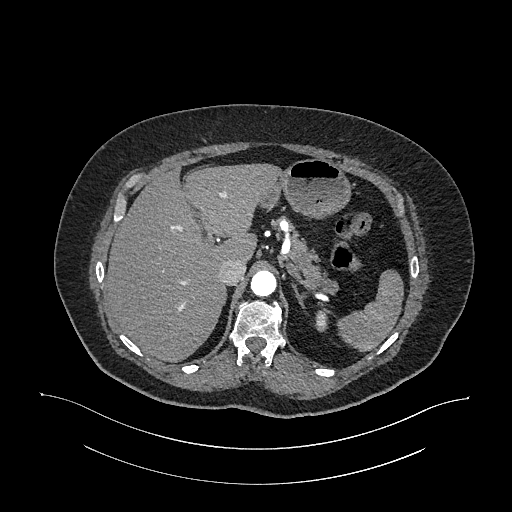
Arterial-phase contrast-enhanced abdominal CT, axial slice 800 of 987 (counted from the lowest slice); tube voltage 120 kVp, convolution kernel I26f; slices 1.00 mm thick, 0.977 mm per pixel.
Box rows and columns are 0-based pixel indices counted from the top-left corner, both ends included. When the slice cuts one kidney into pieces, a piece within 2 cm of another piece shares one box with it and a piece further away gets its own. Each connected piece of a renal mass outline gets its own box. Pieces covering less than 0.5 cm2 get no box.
Box rows 310–331, columns 315–329: left kidney (outlined area 244 px, about 2.3 cm2). No renal mass is outlined on this slice.